Arterial-phase contrast-enhanced abdominal CT, axial slice 84 of 470 (counted from the lowest slice); tube voltage 120 kVp, convolution kernel I26f; slices 1.00 mm thick, 0.938 mm per pixel.
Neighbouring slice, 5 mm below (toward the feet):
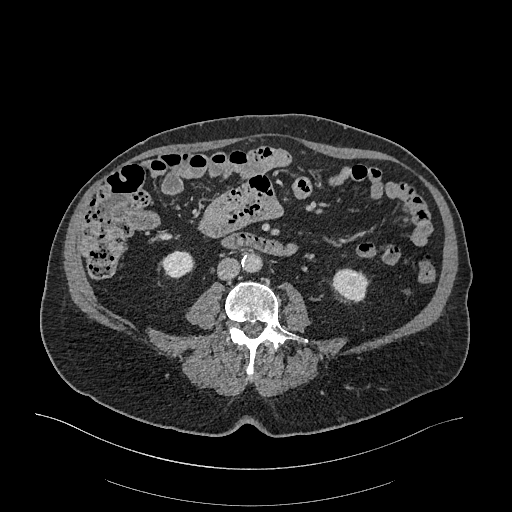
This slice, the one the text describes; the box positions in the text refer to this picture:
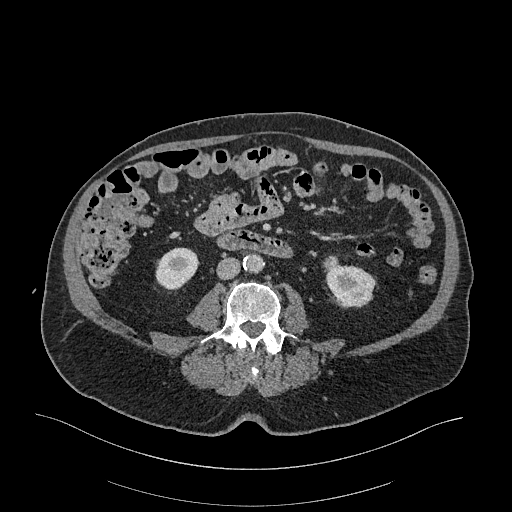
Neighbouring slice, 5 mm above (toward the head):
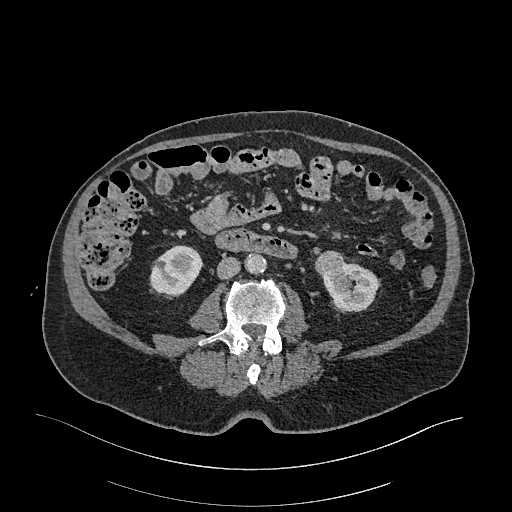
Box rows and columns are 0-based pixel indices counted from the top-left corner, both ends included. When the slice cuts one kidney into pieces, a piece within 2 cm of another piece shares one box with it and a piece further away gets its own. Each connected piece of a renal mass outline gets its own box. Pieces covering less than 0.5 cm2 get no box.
Two kidney boxes and one renal mass box on this slice; by box centre, from the image's left to its right: (1) Right kidney, box rows 247–290, columns 155–199 (outlined area 1,399 px, about 12.3 cm2). (2) Left renal mass at rows 255–271, columns 322–338 (outlined area 187 px, about 1.6 cm2). (3) Box rows 264–308, columns 325–376: left kidney (outlined area 1,710 px, about 15.0 cm2). This slice lies near the end of the left renal mass toward the feet; the slices 5 mm below and 5 mm above it are shown too, and the boxes mark positions on this slice only.